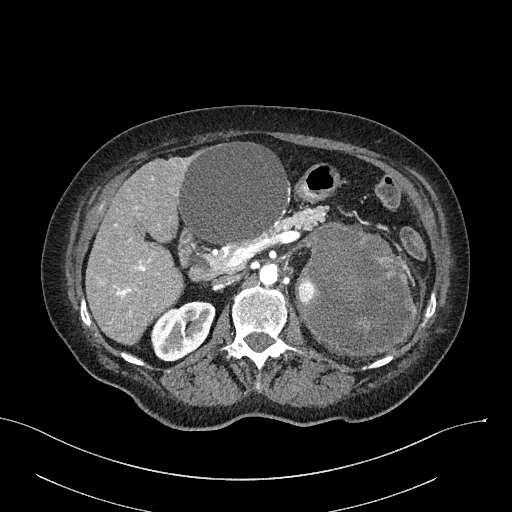
Arterial-phase contrast-enhanced abdominal CT, axial slice 162 of 316 (counted from the lowest slice); tube voltage 100 kVp, convolution kernel I40f; slices 2.00 mm thick, 0.840 mm per pixel.
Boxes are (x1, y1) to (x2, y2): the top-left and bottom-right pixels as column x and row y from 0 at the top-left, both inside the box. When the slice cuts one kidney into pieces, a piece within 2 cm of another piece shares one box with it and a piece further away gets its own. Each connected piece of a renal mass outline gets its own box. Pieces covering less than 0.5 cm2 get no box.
One kidney box and one renal mass box on this slice; by box centre, from the image's left to its right: (1) Box (150, 301) to (215, 361): right kidney (outlined area 2,808 px, about 19.8 cm2). (2) Box (295, 222) to (416, 356): left renal mass (outlined area 12,313 px, about 86.8 cm2); it sits over 1 cm from every kidney outline on this slice, but the same outlined renal mass comes within 1 cm of the kidney on another slice.